Arterial-phase contrast-enhanced abdominal CT, axial slice 155 of 302 (counted from the lowest slice); tube voltage 100 kVp, convolution kernel I30f; slices 5.00 mm thick, 0.875 mm per pixel.
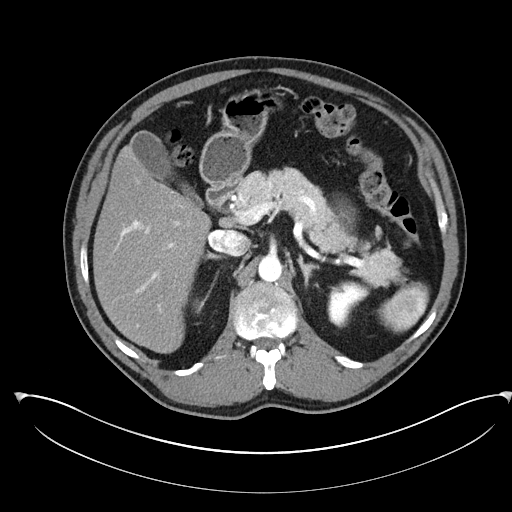
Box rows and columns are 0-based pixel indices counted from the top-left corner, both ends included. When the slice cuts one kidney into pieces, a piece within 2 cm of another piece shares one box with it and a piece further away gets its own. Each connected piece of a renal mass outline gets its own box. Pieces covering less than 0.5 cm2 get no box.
Two boxes on this slice (two kidney boxes), listed by box centre from the image's left to its right. (1) Right kidney at rows 298–314, columns 192–201 (outlined area 105 px, about 0.8 cm2). (2) Left kidney, box rows 280–328, columns 327–370 (outlined area 1,334 px, about 10.2 cm2). This slice carries no renal mass outline.